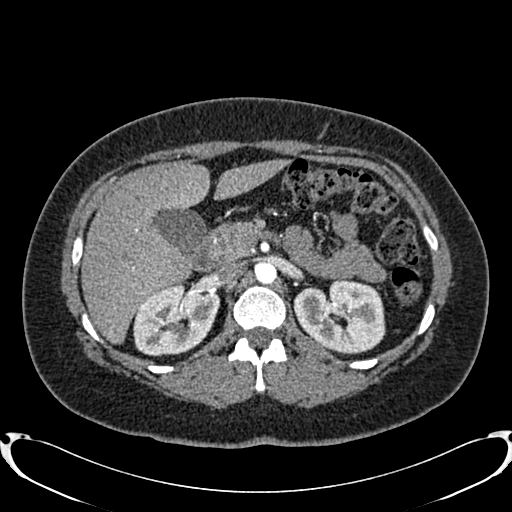
One axial slice (523 of 719, counting up from the lowest) of an arterial-phase abdominal CT acquired with 120 kVp, kernel B20f; each pixel is 0.766 mm and the slice is 1.00 mm thick.
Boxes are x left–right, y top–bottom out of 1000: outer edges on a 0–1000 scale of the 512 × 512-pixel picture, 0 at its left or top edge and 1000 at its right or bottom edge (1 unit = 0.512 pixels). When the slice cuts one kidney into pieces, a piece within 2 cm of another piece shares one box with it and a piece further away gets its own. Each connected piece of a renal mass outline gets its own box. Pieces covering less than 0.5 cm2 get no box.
Two boxes on this slice (two kidney boxes), listed by box centre from the image's left to its right. (1) Right kidney, box x 260–432, y 553–697 out of 1000 (outlined area 4,766 px, about 27.9 cm2). (2) Left kidney, box x 572–754, y 543–693 out of 1000 (outlined area 5,294 px, about 31.0 cm2). No renal mass outline on this slice.